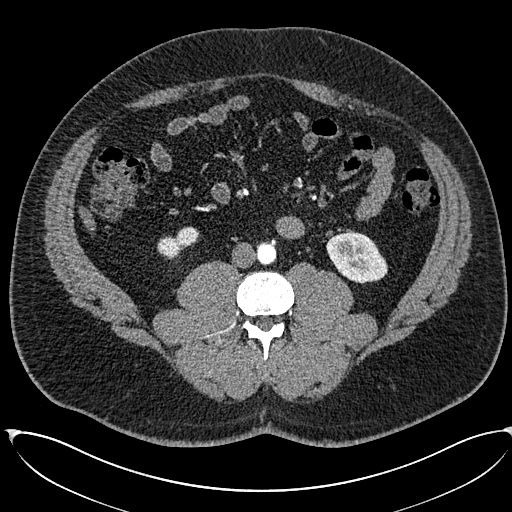
Axial slice 248 of 673 of a contrast-enhanced abdominal CT in the arterial phase (slice 1 is the lowest), 120 kVp, kernel I30f; 1.00 mm slice thickness and 0.855 mm pixels.
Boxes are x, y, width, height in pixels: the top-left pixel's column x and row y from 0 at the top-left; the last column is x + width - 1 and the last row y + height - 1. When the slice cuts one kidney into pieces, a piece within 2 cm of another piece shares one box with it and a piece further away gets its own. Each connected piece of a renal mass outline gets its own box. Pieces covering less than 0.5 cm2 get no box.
Two kidney boxes on this slice; by box centre, from the image's left to its right: (1) Right kidney at x 157, y 226, width 43, height 32 (outlined area 805 px, about 5.9 cm2). (2) Left kidney, box x 326, y 232, width 62, height 52 (outlined area 2,325 px, about 17.0 cm2). No renal mass is outlined on this slice.